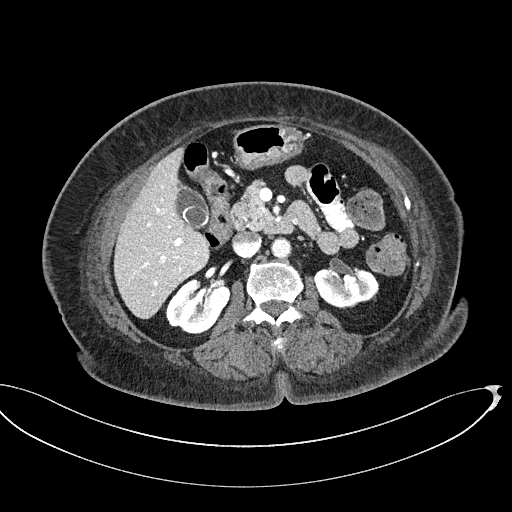
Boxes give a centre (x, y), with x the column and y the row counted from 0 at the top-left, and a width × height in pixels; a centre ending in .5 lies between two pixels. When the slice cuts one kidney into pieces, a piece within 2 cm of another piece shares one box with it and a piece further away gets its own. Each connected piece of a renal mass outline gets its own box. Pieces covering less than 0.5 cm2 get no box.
Slice 301/439 of a contrast-enhanced abdominal CT, counting up from the lowest; pixel size 0.850 mm, slice thickness 2.00 mm. Two boxes on this slice (two kidney boxes), listed by box centre from the image's left to its right. (1) Box centre (197.5, 306), 66 × 57 pixels: right kidney (outlined area 2,533 px, about 18.3 cm2). (2) Left kidney, box centre (346, 287.5), 65 × 42 pixels (outlined area 2,131 px, about 15.4 cm2). No renal mass outline on this slice.
Tube voltage 100 kVp; convolution kernel I40f.